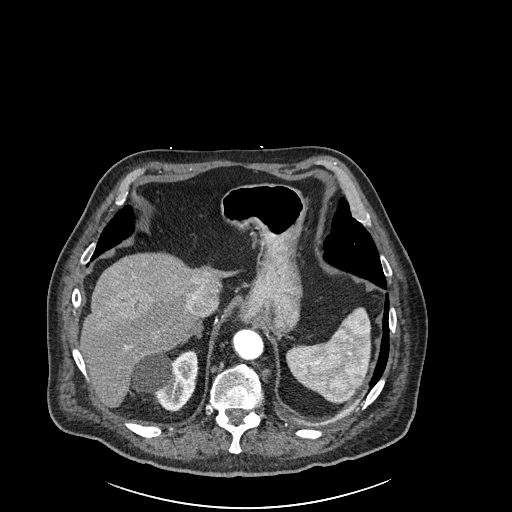
Axial slice 199 of 261 of a contrast-enhanced abdominal CT in the arterial phase (slice 1 is the lowest), 120 kVp, kernel I30f; 2.00 mm slice thickness and 0.939 mm pixels.
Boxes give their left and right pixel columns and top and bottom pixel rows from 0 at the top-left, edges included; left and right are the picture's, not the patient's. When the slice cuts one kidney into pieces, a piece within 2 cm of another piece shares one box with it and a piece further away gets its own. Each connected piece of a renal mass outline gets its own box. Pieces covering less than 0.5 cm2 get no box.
Box with left 130, top 350, right 197, bottom 410: right kidney (outlined area 2,903 px, about 25.6 cm2). This slice carries no renal mass outline.